Arterial-phase contrast-enhanced abdominal CT, axial slice 48 of 106 (counted from the lowest slice); tube voltage 120 kVp, convolution kernel STANDARD; slices 2.50 mm thick, 0.742 mm per pixel.
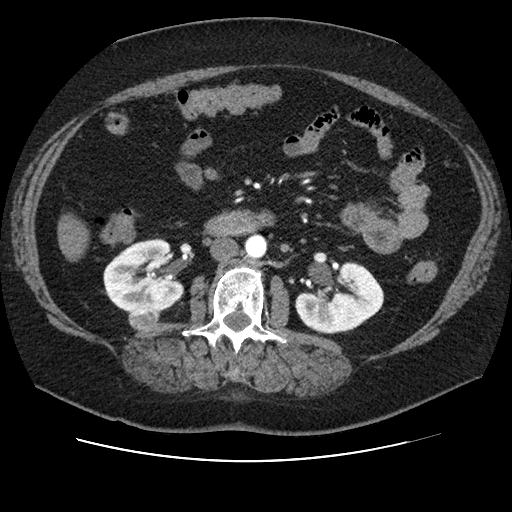
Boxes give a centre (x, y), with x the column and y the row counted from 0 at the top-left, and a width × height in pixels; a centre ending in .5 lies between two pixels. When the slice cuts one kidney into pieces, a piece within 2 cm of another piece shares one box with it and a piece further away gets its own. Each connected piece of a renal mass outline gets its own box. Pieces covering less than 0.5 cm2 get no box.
Boxed on this slice (two kidney boxes and one renal mass box), listed by box centre from the image's left to its right: (1) Box centre (143, 275.5), 81 × 76 pixels: right kidney (outlined area 4,516 px, about 24.9 cm2). (2) Right renal mass in a box with centre (143.5, 319.5), 32 × 26 pixels (outlined area 672 px, about 3.7 cm2). (3) Left kidney in a box with centre (339.5, 298), 90 × 73 pixels (outlined area 4,431 px, about 24.4 cm2).